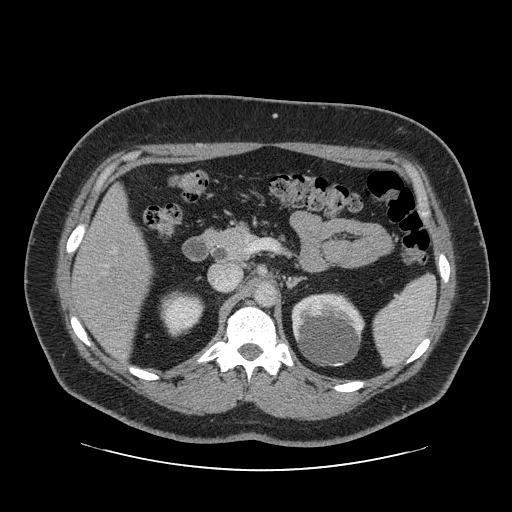
Abdominal CT with intravenous contrast, arterial phase, axial plane, 120 kVp, kernel STANDARD. Slice 50/69 from the bottom of the scan; thickness 2.50 mm; pixel size 0.846 mm.
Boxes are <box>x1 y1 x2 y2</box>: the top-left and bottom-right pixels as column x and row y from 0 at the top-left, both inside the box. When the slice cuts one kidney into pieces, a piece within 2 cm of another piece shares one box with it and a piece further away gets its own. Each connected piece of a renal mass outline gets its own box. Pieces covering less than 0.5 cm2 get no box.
Two boxes on this slice (two kidney boxes), listed by box centre from the image's left to its right. (1) Right kidney: <box>159 290 204 337</box> (outlined area 1,559 px, about 11.2 cm2). (2) Left kidney at <box>291 292 365 366</box> (outlined area 4,345 px, about 31.1 cm2). This slice carries no renal mass outline.